Abdominal CT with intravenous contrast, axial plane, 140 kVp, kernel I30f. Slice 577/834 from the bottom of the scan; thickness 1.00 mm; pixel size 0.977 mm.
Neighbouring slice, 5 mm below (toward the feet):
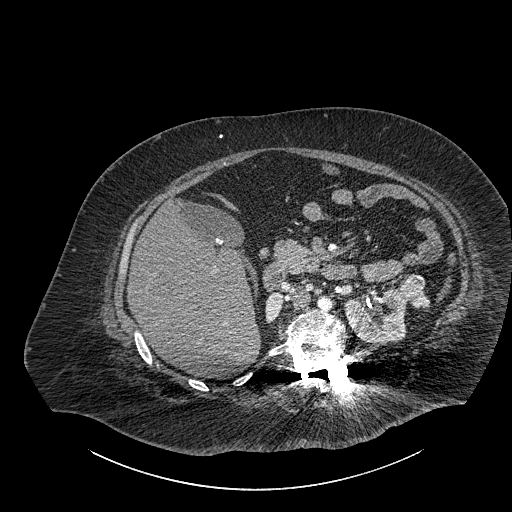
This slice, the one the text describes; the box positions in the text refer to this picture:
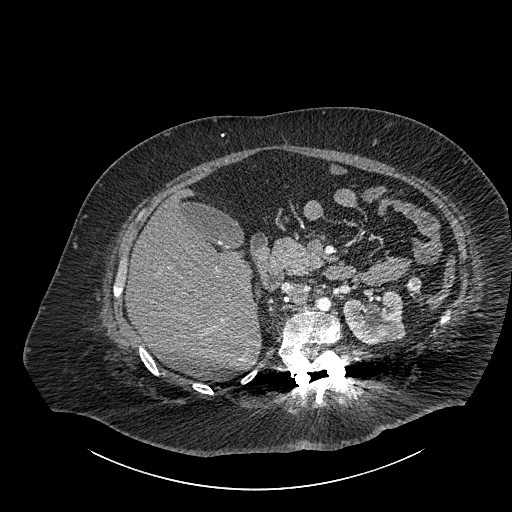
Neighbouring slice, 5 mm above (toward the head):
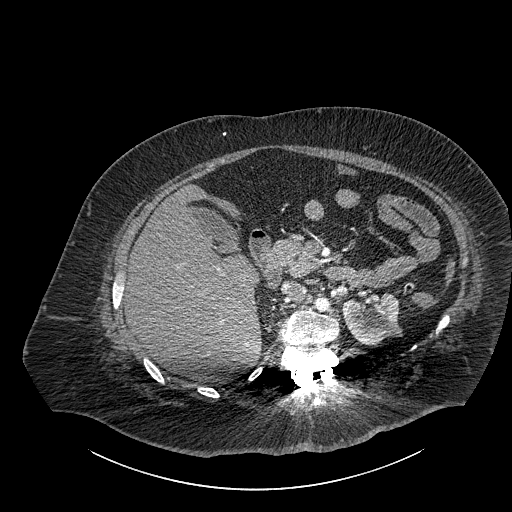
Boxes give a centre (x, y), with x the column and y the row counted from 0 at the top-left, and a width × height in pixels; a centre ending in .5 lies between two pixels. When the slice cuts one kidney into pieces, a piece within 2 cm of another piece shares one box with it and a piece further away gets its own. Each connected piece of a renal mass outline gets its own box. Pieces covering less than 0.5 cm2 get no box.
Boxed on this slice (one kidney box and one renal mass box), listed by box centre from the image's left to its right: (1) Box centre (373.5, 316.5), 64 × 56 pixels: left part of the midline-crossing kidney (outlined area 2,610 px, about 24.9 cm2). (2) Renal mass, box centre (413.5, 284), 16 × 17 pixels (outlined area 206 px, about 2.0 cm2). This slice lies near the end of a renal mass toward the head; the slices 5 mm below and 5 mm above it are shown too, and the boxes mark positions on this slice only.